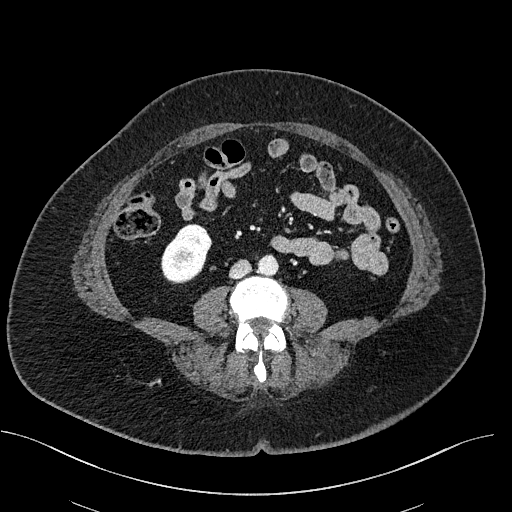
Abdominal CT with intravenous contrast, axial plane, 100 kVp, kernel I40f. Slice 247/470 from the bottom of the scan; thickness 2.00 mm; pixel size 0.824 mm.
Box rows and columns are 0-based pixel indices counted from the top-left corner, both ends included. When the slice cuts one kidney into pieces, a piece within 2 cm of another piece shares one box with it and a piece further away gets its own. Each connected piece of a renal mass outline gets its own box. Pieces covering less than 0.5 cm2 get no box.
Right kidney at rows 224–283, columns 161–212 (outlined area 2,181 px, about 14.8 cm2). No renal mass outline on this slice.